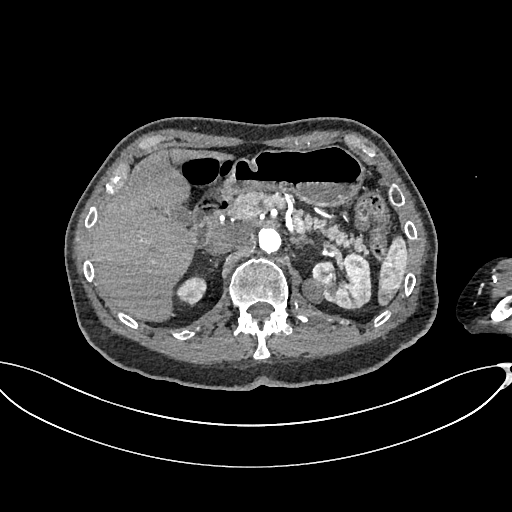
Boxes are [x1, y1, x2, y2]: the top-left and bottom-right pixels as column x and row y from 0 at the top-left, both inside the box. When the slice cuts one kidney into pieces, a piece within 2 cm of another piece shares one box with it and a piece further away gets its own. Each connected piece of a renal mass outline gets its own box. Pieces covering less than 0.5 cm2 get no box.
This is axial slice 454 of 665 (slice 1 is the lowest) of an arterial-phase abdominal CT with contrast; each pixel is 0.828 mm and the slice is 1.00 mm thick. Boxed on this slice (two kidney boxes and one renal mass box), listed by box centre from the image's left to its right: (1) Right kidney, box [174, 274, 206, 306] (outlined area 679 px, about 4.7 cm2). (2) Left renal mass, box [302, 277, 324, 303] (outlined area 459 px, about 3.1 cm2). (3) Left kidney, box [313, 253, 371, 308] (outlined area 2,444 px, about 16.8 cm2).
Scan settings: 100 kVp, I26f reconstruction kernel.